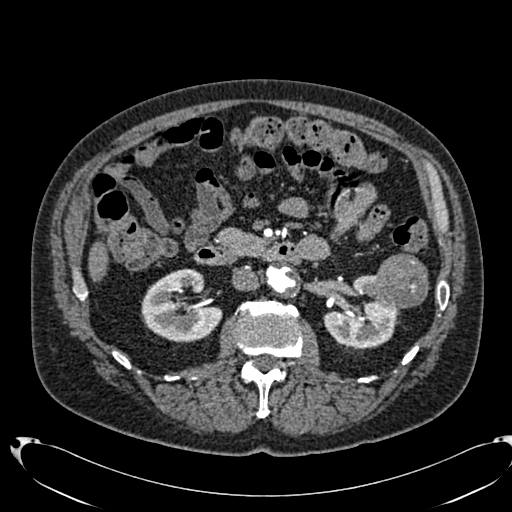
Arterial-phase contrast-enhanced abdominal CT, axial slice 409 of 553 (counted from the lowest slice); tube voltage 120 kVp, convolution kernel B20f; slices 1.00 mm thick, 0.773 mm per pixel.
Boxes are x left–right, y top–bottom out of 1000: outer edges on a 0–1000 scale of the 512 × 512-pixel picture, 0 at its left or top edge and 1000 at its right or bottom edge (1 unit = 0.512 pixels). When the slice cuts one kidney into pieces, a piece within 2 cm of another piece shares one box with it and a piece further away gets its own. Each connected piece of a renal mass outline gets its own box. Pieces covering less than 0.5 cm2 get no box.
Three boxes on this slice (two kidney boxes and one renal mass box), listed by box centre from the image's left to its right. (1) Right kidney, box x 275–434, y 525–670 out of 1000 (outlined area 4,137 px, about 24.7 cm2). (2) Box x 631–781, y 537–682 out of 1000: left kidney (outlined area 3,454 px, about 20.7 cm2). (3) Left renal mass at x 727–838, y 494–604 out of 1000 (outlined area 2,428 px, about 14.5 cm2).